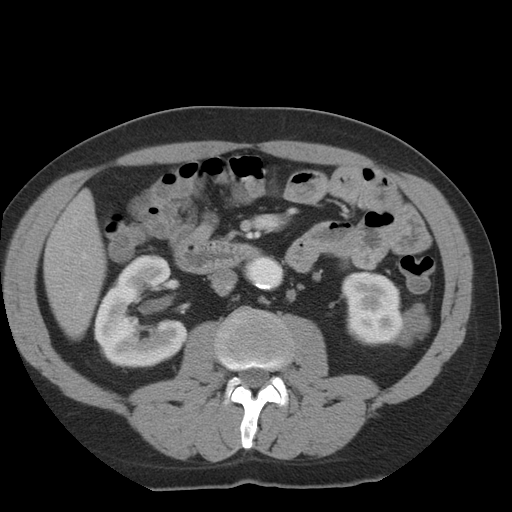
Axial slice 10 of 36 of a contrast-enhanced abdominal CT in the arterial phase (slice 1 is the lowest), 140 kVp, kernel STANDARD; 5.00 mm slice thickness and 0.703 mm pixels.
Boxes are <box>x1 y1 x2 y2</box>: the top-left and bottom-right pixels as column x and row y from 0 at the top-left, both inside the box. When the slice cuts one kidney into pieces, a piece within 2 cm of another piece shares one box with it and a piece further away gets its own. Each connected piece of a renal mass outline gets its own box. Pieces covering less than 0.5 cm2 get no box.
Three boxes on this slice (two kidney boxes and one renal mass box), listed by box centre from the image's left to its right. (1) At <box>93 254 187 368</box>: right kidney (outlined area 7,371 px, about 36.4 cm2). (2) Left kidney at <box>341 270 402 346</box> (outlined area 3,806 px, about 18.8 cm2). (3) Left renal mass: <box>393 303 430 346</box> (outlined area 988 px, about 4.9 cm2).